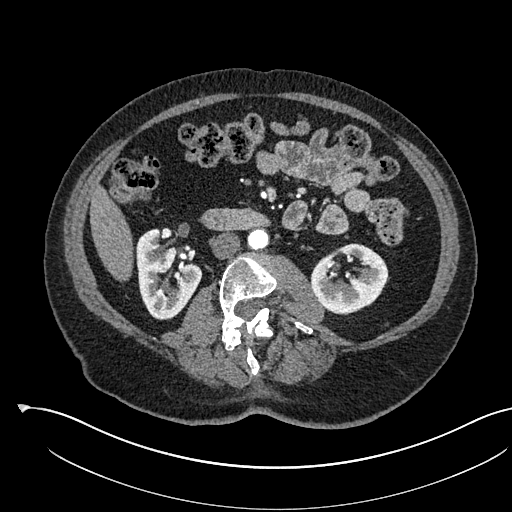
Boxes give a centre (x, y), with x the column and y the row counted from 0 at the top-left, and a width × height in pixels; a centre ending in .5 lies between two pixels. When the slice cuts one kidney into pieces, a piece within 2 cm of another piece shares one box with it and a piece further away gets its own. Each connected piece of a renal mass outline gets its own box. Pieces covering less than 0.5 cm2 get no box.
Arterial-phase contrast-enhanced abdominal CT, axial slice 285 of 541 (counted from the lowest slice); 1.00 mm thick, 0.834 mm per pixel. Two kidney boxes on this slice; by box centre, from the image's left to its right: (1) Box centre (169, 274), 67 × 93 pixels: right kidney (outlined area 4,077 px, about 28.4 cm2). (2) Left kidney, box centre (349, 278.5), 79 × 72 pixels (outlined area 3,846 px, about 26.8 cm2). This slice carries no renal mass outline.
Scan settings: 120 kVp, I30f reconstruction kernel.